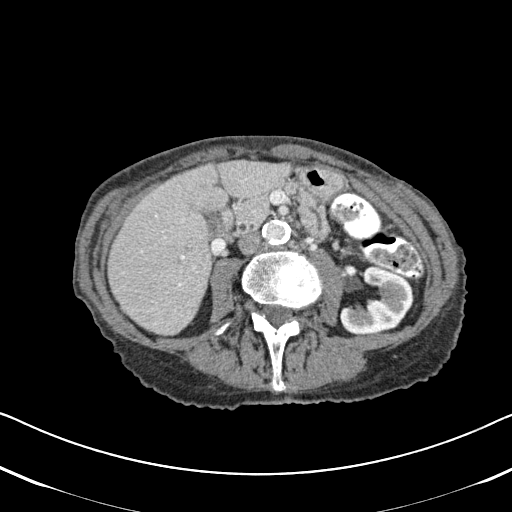
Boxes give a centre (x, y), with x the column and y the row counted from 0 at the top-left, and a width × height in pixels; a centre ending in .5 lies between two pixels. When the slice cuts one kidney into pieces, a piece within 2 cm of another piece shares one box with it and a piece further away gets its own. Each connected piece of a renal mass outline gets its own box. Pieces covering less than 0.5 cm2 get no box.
Slice 280/620 of a contrast-enhanced abdominal CT in the arterial phase, counting up from the lowest; pixel size 0.637 mm, slice thickness 2.00 mm. Box centre (377, 300.5), 75 × 70 pixels: left kidney (outlined area 3,335 px, about 13.5 cm2). This slice carries no renal mass outline.
Tube voltage 120 kVp; convolution kernel B31f.